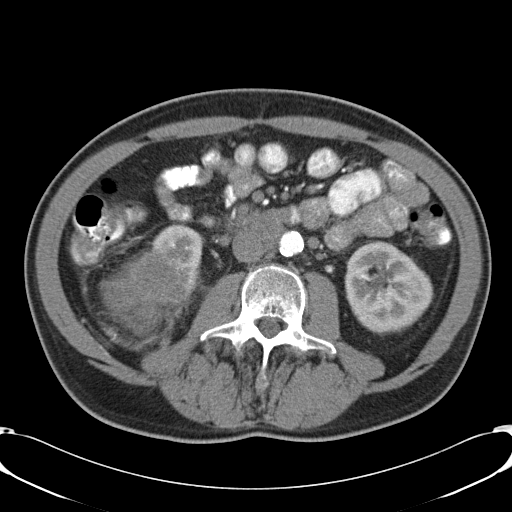
Abdominal CT with intravenous contrast, axial plane, 120 kVp, kernel B31f. Slice 18/57 from the bottom of the scan; thickness 5.00 mm; pixel size 0.732 mm.
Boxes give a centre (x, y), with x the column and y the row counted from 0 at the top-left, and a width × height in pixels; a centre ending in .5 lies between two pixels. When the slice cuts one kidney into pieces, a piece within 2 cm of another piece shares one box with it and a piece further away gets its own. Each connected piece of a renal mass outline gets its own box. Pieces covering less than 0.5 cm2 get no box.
Two kidney boxes and one renal mass box on this slice; by box centre, from the image's left to its right: (1) Right renal mass in a box with centre (142, 292), 85 × 83 pixels (outlined area 4,711 px, about 25.3 cm2). (2) Right kidney, box centre (176, 261.5), 55 × 76 pixels (outlined area 2,087 px, about 11.2 cm2). (3) Left kidney, box centre (388.5, 287.5), 90 × 96 pixels (outlined area 6,273 px, about 33.7 cm2).